One axial slice (21 of 52, counting up from the lowest) of an arterial-phase abdominal CT acquired with 120 kVp, kernel B30f; each pixel is 0.678 mm and the slice is 3.00 mm thick.
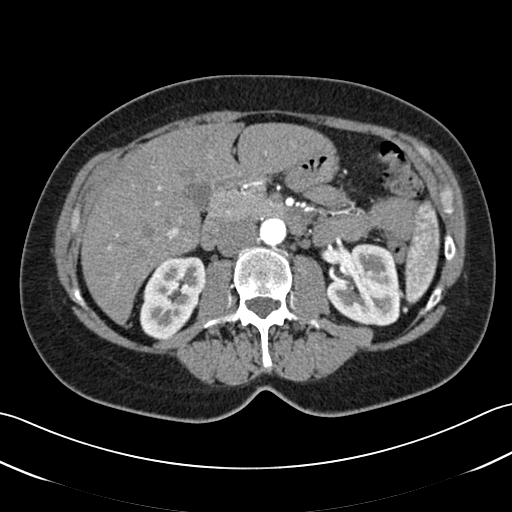
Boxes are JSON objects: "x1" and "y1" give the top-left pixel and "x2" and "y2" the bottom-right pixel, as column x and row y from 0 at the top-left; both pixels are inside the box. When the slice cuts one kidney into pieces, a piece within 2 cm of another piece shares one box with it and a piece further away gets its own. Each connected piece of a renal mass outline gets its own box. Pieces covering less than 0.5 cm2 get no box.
Boxed on this slice (two kidney boxes), listed by box centre from the image's left to its right: (1) Box {"x1": 139, "y1": 256, "x2": 205, "y2": 339}: right kidney (outlined area 4,004 px, about 18.4 cm2). (2) Left kidney at {"x1": 326, "y1": 243, "x2": 400, "y2": 326} (outlined area 4,720 px, about 21.7 cm2). No renal mass outline on this slice.